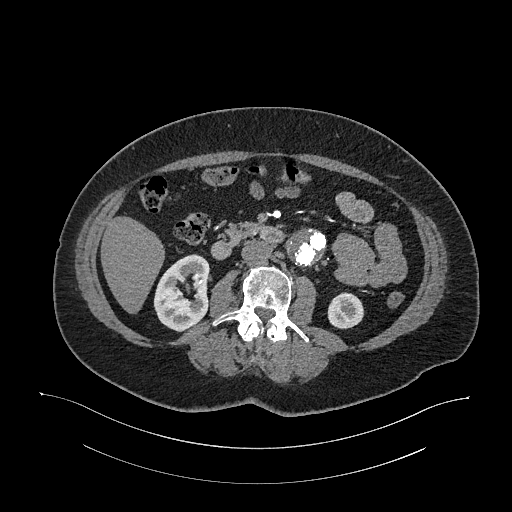
Axial slice 598 of 987 of a contrast-enhanced abdominal CT in the arterial phase (slice 1 is the lowest), 120 kVp, kernel I26f; 1.00 mm slice thickness and 0.977 mm pixels.
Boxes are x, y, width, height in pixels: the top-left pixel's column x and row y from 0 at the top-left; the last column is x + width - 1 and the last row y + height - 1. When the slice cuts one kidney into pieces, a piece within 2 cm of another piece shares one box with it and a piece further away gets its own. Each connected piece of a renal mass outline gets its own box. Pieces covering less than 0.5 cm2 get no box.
Boxed on this slice (two kidney boxes), listed by box centre from the image's left to its right: (1) Box x 153, y 254, width 58, height 78: right kidney (outlined area 3,236 px, about 30.9 cm2). (2) Left kidney at x 327, y 292, width 38, height 37 (outlined area 1,076 px, about 10.3 cm2). No renal mass is outlined on this slice.